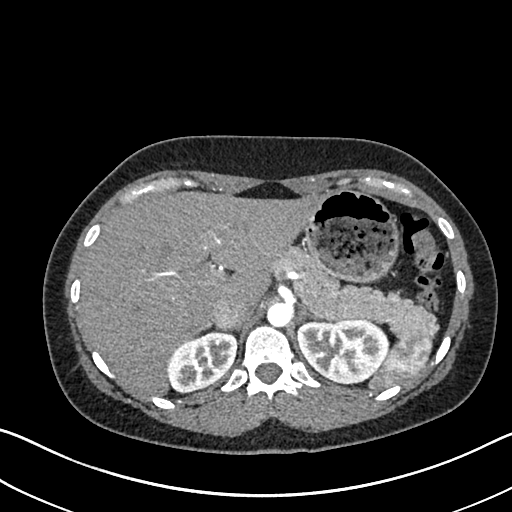
One axial slice (515 of 612, counting up from the lowest) of an arterial-phase abdominal CT acquired with 120 kVp, kernel I30f; each pixel is 0.703 mm and the slice is 1.00 mm thick.
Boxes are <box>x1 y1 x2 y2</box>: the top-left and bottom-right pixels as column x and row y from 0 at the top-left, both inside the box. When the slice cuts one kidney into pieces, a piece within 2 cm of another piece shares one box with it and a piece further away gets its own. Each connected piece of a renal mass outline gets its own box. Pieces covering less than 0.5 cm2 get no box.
Boxed on this slice (two kidney boxes), listed by box centre from the image's left to its right: (1) At <box>166 330 236 392</box>: right kidney (outlined area 3,172 px, about 15.7 cm2). (2) Left kidney at <box>297 318 389 383</box> (outlined area 4,727 px, about 23.4 cm2). No renal mass outline on this slice.